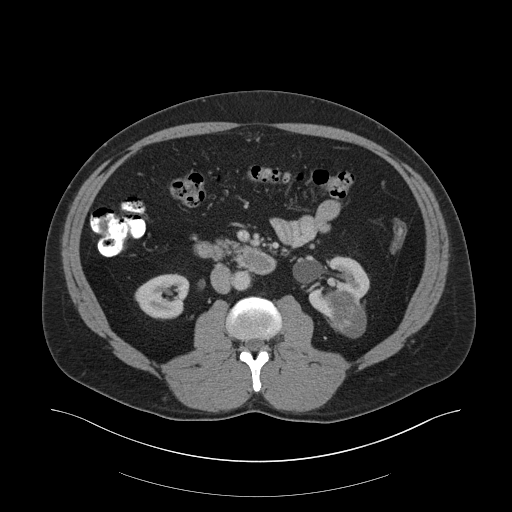
Abdominal CT with intravenous contrast, arterial phase, axial plane, 140 kVp, kernel B30f. Slice 99/159 from the bottom of the scan; thickness 3.00 mm; pixel size 0.977 mm.
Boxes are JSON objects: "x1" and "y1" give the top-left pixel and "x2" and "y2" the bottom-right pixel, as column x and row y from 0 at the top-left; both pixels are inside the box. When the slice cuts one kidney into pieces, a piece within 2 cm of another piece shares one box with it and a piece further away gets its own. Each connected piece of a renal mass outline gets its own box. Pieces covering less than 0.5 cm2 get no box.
Three boxes on this slice (two kidney boxes and one renal mass box), listed by box centre from the image's left to its right. (1) Box {"x1": 134, "y1": 273, "x2": 189, "y2": 319}: right kidney (outlined area 1,925 px, about 18.4 cm2). (2) Left kidney at {"x1": 308, "y1": 256, "x2": 369, "y2": 322} (outlined area 2,024 px, about 19.3 cm2). (3) Left renal mass at {"x1": 329, "y1": 292, "x2": 366, "y2": 337} (outlined area 1,320 px, about 12.6 cm2).